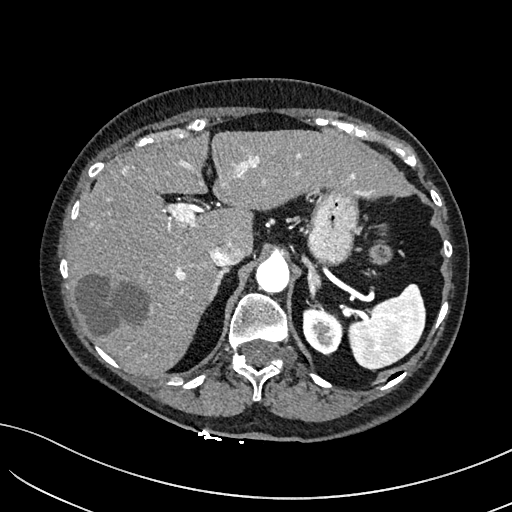
Abdominal CT with intravenous contrast, arterial phase, axial plane, 100 kVp, kernel I40f. Slice 128/234 from the bottom of the scan; thickness 2.00 mm; pixel size 0.699 mm.
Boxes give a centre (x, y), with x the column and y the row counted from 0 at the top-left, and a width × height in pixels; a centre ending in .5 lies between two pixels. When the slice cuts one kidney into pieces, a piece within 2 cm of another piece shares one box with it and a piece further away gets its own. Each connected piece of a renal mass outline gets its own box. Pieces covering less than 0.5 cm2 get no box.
Box centre (321.5, 330), 40 × 51 pixels: left kidney (outlined area 1,504 px, about 7.4 cm2). This slice carries no renal mass outline.